Arterial-phase contrast-enhanced abdominal CT, axial slice 99 of 261 (counted from the lowest slice); tube voltage 120 kVp, convolution kernel I30f; slices 2.00 mm thick, 0.939 mm per pixel.
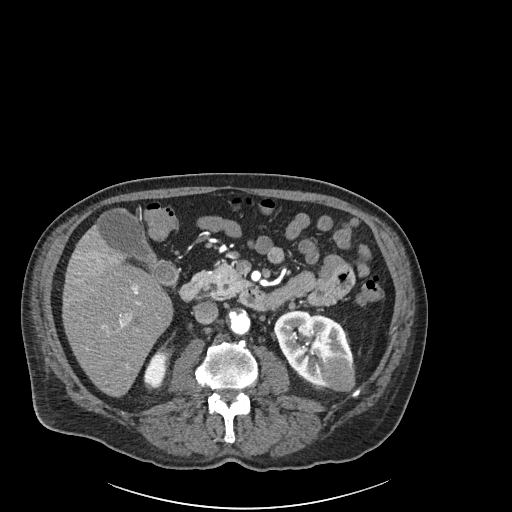
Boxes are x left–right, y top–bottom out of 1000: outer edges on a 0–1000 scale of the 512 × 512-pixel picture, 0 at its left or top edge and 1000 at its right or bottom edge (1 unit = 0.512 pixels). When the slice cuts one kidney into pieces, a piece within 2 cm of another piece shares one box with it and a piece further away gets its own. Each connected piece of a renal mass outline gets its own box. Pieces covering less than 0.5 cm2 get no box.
Two kidney boxes and one renal mass box on this slice; by box centre, from the image's left to its right: (1) Right kidney at x 279–330, y 684–758 out of 1000 (outlined area 625 px, about 5.5 cm2). (2) Left kidney at x 535–691, y 605–758 out of 1000 (outlined area 3,678 px, about 32.5 cm2). (3) Left renal mass at x 627–693, y 691–766 out of 1000 (outlined area 982 px, about 8.7 cm2).